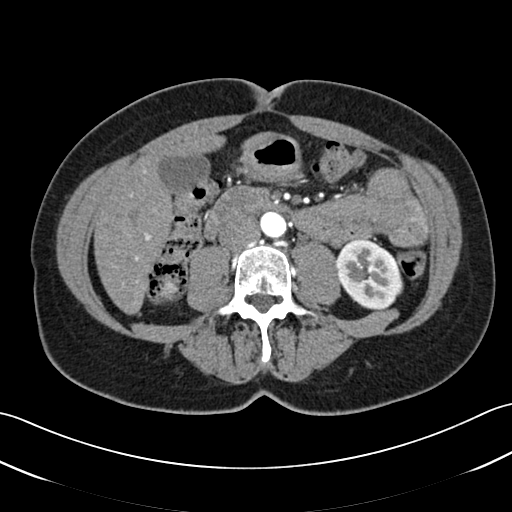
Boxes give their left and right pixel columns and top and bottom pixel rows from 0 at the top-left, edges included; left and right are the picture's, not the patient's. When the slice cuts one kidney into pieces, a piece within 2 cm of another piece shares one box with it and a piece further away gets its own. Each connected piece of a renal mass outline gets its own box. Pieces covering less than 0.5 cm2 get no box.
This is axial slice 11 of 52 (slice 1 is the lowest) of an arterial-phase abdominal CT with contrast; each pixel is 0.678 mm and the slice is 3.00 mm thick. Two kidney boxes on this slice; by box centre, from the image's left to its right: (1) Right kidney in the box with left 160, top 278, right 178, bottom 295 (outlined area 257 px, about 1.2 cm2). (2) Left kidney, the box with left 336, top 240, right 403, bottom 311 (outlined area 3,616 px, about 16.6 cm2). No renal mass is outlined on this slice.
Acquired at 120 kVp and reconstructed with the B30f kernel.